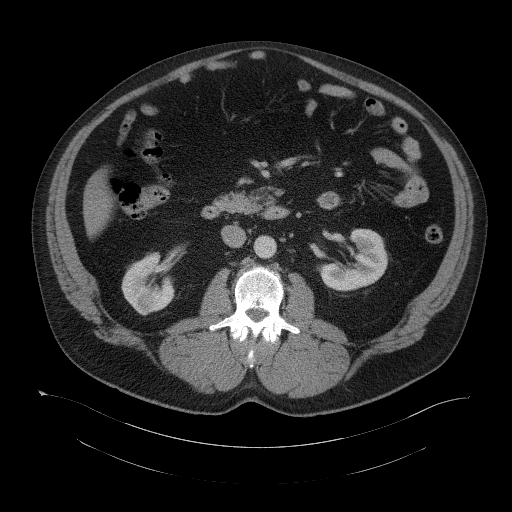
One axial slice (64 of 104, counting up from the lowest) of a contrast-enhanced abdominal CT acquired with 120 kVp, kernel B41f; each pixel is 0.977 mm and the slice is 5.00 mm thick.
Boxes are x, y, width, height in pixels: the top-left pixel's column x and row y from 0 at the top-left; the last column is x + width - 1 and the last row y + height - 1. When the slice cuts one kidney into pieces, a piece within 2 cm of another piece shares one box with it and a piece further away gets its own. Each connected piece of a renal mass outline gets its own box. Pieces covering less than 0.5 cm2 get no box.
Two boxes on this slice (two kidney boxes), listed by box centre from the image's left to its right. (1) Right kidney, box x 121, y 252, width 55, height 64 (outlined area 2,378 px, about 22.7 cm2). (2) Left kidney, box x 318, y 228, width 71, height 64 (outlined area 2,765 px, about 26.4 cm2). No renal mass outline on this slice.